One axial slice (249 of 470, counting up from the lowest) of an arterial-phase abdominal CT acquired with 120 kVp, kernel I26f; each pixel is 0.938 mm and the slice is 1.00 mm thick.
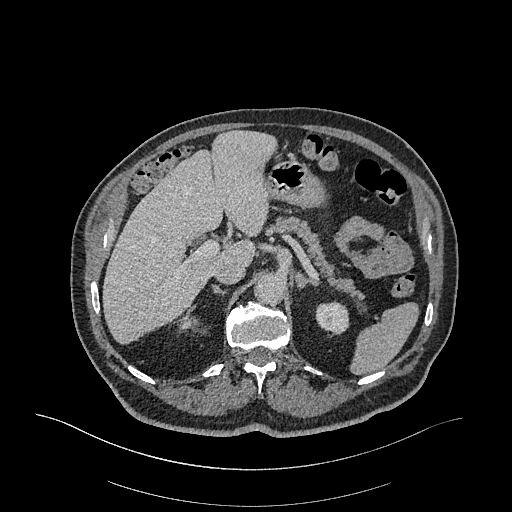
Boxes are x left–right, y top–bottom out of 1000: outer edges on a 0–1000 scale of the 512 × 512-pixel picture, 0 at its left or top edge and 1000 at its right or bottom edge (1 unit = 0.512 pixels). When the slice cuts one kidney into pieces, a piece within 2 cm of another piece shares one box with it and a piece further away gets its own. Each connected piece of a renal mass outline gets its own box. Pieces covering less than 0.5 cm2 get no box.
Two boxes on this slice (two kidney boxes), listed by box centre from the image's left to its right. (1) Right kidney, box x 352–379, y 625–643 out of 1000 (outlined area 88 px, about 0.8 cm2). (2) Left kidney at x 615–684, y 588–660 out of 1000 (outlined area 918 px, about 8.1 cm2). No renal mass outline on this slice.